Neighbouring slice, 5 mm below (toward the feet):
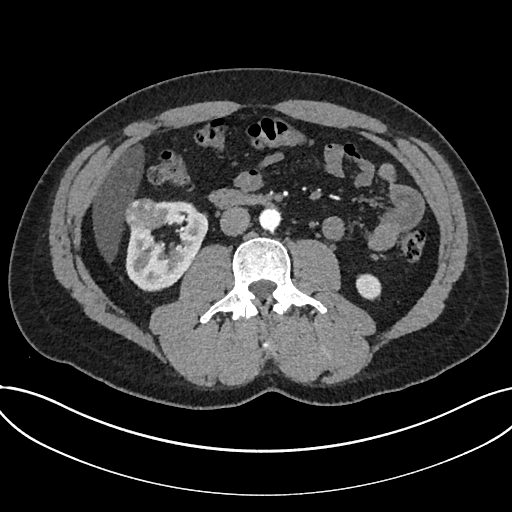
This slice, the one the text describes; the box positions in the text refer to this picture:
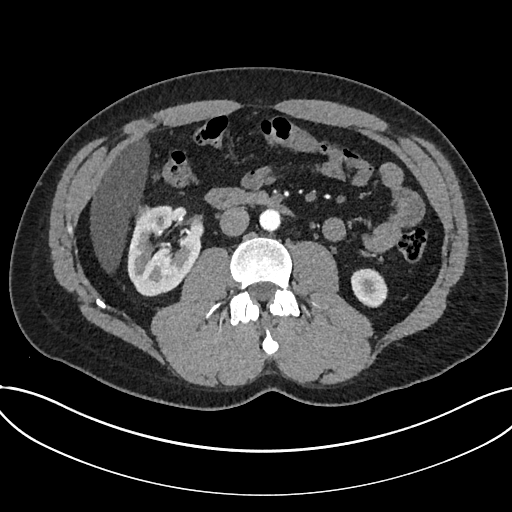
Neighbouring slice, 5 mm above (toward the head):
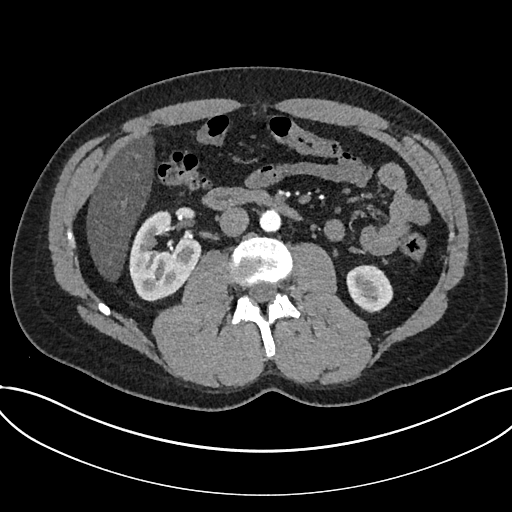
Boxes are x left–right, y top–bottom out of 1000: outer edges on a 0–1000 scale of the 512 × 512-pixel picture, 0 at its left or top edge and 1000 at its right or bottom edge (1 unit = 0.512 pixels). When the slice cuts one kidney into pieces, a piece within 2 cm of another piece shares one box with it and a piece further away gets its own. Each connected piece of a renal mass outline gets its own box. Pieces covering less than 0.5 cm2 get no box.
Slice 368/735 of a contrast-enhanced abdominal CT in the arterial phase, counting up from the lowest; pixel size 0.789 mm, slice thickness 1.00 mm. Three boxes on this slice (two kidney boxes and one renal mass box), listed by box centre from the image's left to its right. (1) Renal mass at x 264–301, y 400–439 out of 1000 (outlined area 298 px, about 1.9 cm2). (2) Kidney at x 248–396, y 400–580 out of 1000 (outlined area 4,806 px, about 29.9 cm2). (3) Box x 686–758, y 523–602 out of 1000: kidney (outlined area 1,138 px, about 7.1 cm2). This slice is near the end of a renal mass toward the head, so the slices 5 mm below and 5 mm above it are shown as well; the boxes refer to this slice only.
Scan settings: 120 kVp, I30f reconstruction kernel.